Arterial-phase contrast-enhanced abdominal CT, axial slice 222 of 316 (counted from the lowest slice); tube voltage 100 kVp, convolution kernel I40f; slices 2.00 mm thick, 0.840 mm per pixel.
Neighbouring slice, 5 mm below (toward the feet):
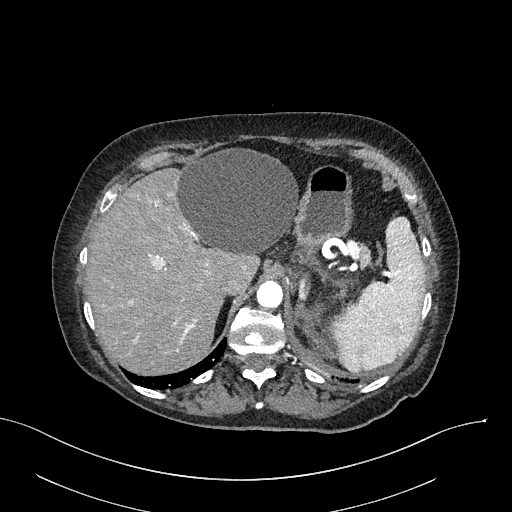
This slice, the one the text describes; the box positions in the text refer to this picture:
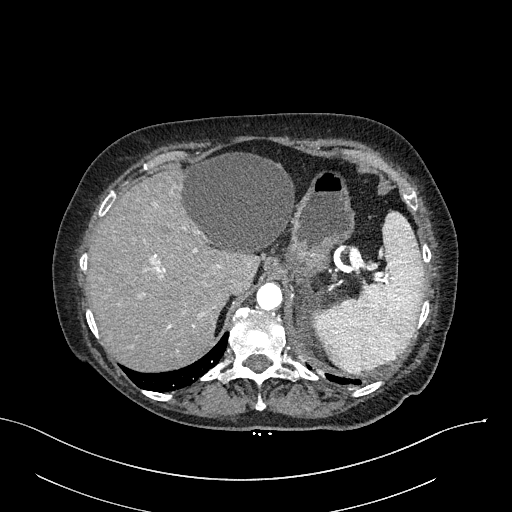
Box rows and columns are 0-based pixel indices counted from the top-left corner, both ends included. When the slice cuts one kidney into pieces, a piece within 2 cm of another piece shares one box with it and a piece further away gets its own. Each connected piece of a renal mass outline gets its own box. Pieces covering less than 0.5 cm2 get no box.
Left renal mass at rows 307–338, columns 298–311 (outlined area 324 px, about 2.3 cm2); no kidney outline appears on this slice, but the same outlined renal mass comes within 1 cm of the kidney on another slice. This slice lies near the end of the left renal mass toward the head; the slice 5 mm below it is shown too, and the boxes mark positions on this slice only.